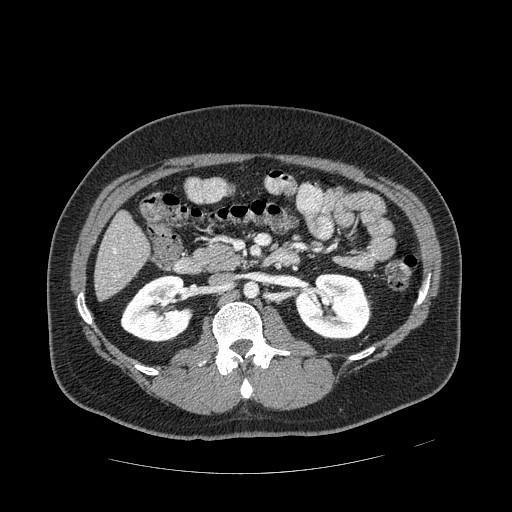
Axial slice 255 of 389 of a contrast-enhanced abdominal CT in the arterial phase (slice 1 is the lowest), 120 kVp, kernel STANDARD; 1.25 mm slice thickness and 0.869 mm pixels.
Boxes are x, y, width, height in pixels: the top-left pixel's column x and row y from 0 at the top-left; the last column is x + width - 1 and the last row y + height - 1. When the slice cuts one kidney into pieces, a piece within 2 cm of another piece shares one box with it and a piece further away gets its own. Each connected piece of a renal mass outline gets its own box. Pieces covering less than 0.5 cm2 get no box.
Two kidney boxes and one renal mass box on this slice; by box centre, from the image's left to its right: (1) Right kidney, box x 120, y 275, width 74, height 68 (outlined area 3,567 px, about 26.9 cm2). (2) Box x 295, y 273, width 78, height 68: left kidney (outlined area 3,831 px, about 28.9 cm2). (3) Box x 353, y 306, width 16, height 11: left renal mass (outlined area 149 px, about 1.1 cm2).